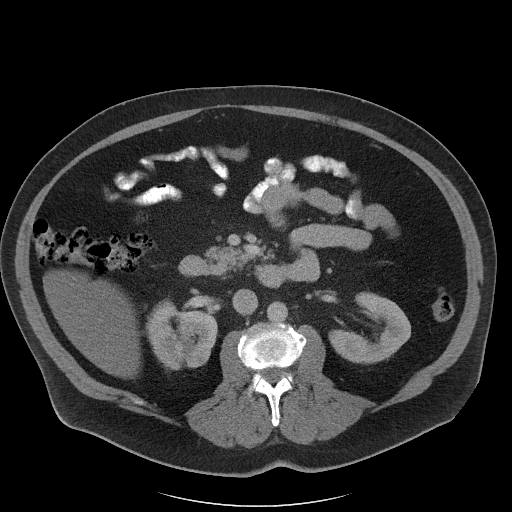
Contrast-enhanced abdominal CT, axial slice 61 of 102 (counted from the lowest slice); tube voltage 120 kVp, convolution kernel I40f; slices 5.00 mm thick, 0.977 mm per pixel.
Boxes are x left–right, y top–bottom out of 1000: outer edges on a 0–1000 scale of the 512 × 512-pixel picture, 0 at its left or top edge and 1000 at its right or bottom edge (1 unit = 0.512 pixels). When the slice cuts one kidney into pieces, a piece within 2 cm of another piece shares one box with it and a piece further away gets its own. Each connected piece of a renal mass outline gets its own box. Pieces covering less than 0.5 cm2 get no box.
Two kidney boxes on this slice; by box centre, from the image's left to its right: (1) Box x 285–422, y 582–723 out of 1000: right kidney (outlined area 3,693 px, about 35.2 cm2). (2) Left kidney, box x 641–803, y 570–711 out of 1000 (outlined area 3,301 px, about 31.5 cm2). This slice carries no renal mass outline.